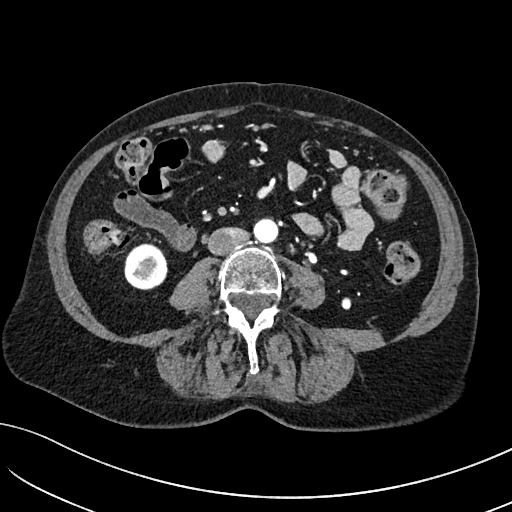
Abdominal CT with intravenous contrast, arterial phase, axial plane, 100 kVp, kernel I40f. Slice 12/234 from the bottom of the scan; thickness 2.00 mm; pixel size 0.699 mm.
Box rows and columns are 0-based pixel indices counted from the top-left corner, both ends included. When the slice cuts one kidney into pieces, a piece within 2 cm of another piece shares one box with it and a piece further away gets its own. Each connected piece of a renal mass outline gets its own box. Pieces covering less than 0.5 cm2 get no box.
Right kidney at rows 243–290, columns 124–167 (outlined area 1,653 px, about 8.1 cm2). This slice carries no renal mass outline.